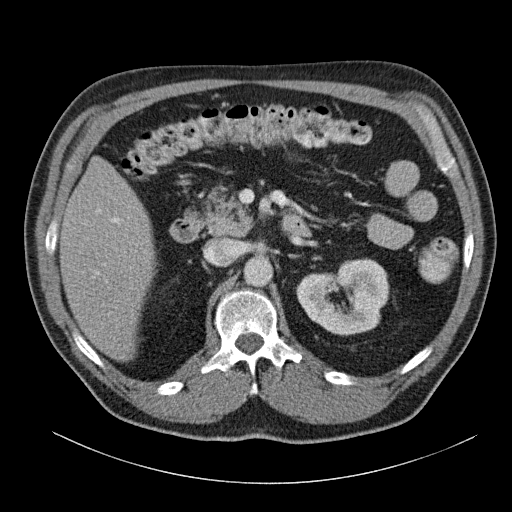
Axial slice 78 of 140 of a contrast-enhanced abdominal CT in the arterial phase (slice 1 is the lowest), 120 kVp, kernel B31f; 5.00 mm slice thickness and 0.754 mm pixels.
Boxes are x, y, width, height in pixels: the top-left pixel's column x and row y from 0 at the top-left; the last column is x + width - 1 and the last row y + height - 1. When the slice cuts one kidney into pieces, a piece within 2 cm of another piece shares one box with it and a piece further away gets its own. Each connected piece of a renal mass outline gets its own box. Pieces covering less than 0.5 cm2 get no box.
Left kidney, box x 296, y 258, width 94, height 78 (outlined area 5,194 px, about 29.5 cm2). No renal mass outline on this slice.